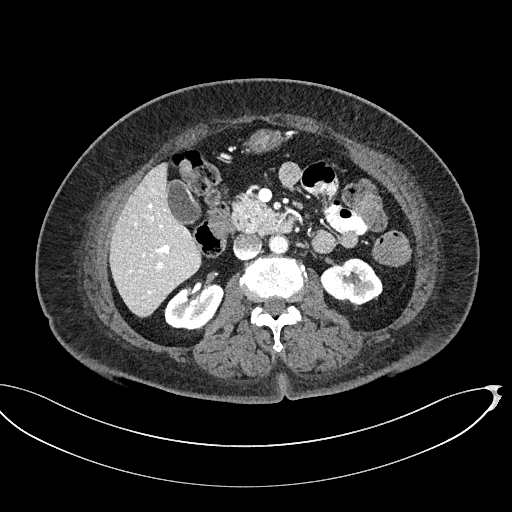
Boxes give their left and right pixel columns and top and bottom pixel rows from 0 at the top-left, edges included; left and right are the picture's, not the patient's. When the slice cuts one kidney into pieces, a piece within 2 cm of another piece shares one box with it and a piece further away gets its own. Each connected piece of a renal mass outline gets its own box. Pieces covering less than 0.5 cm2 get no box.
Contrast-enhanced abdominal CT, axial slice 288 of 439 (counted from the lowest slice); 2.00 mm thick, 0.850 mm per pixel. Boxed on this slice (two kidney boxes), listed by box centre from the image's left to its right: (1) Right kidney, the box with left 164, top 283, right 224, bottom 330 (outlined area 2,036 px, about 14.7 cm2). (2) Box with left 321, top 257, right 382, bottom 309: left kidney (outlined area 2,149 px, about 15.5 cm2). This slice carries no renal mass outline.
Tube voltage 100 kVp; convolution kernel I40f.